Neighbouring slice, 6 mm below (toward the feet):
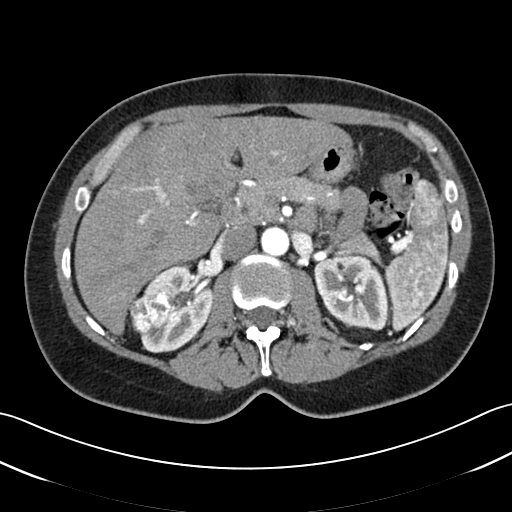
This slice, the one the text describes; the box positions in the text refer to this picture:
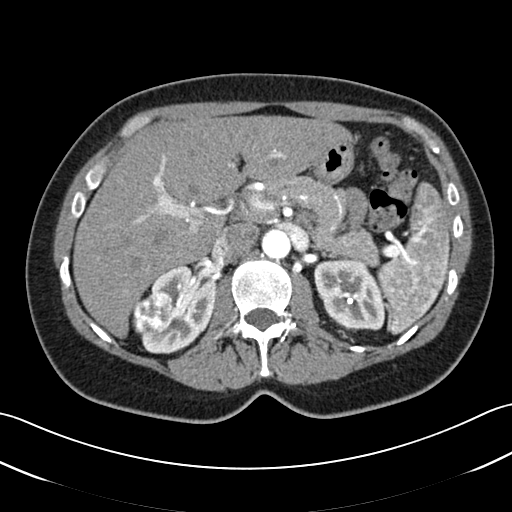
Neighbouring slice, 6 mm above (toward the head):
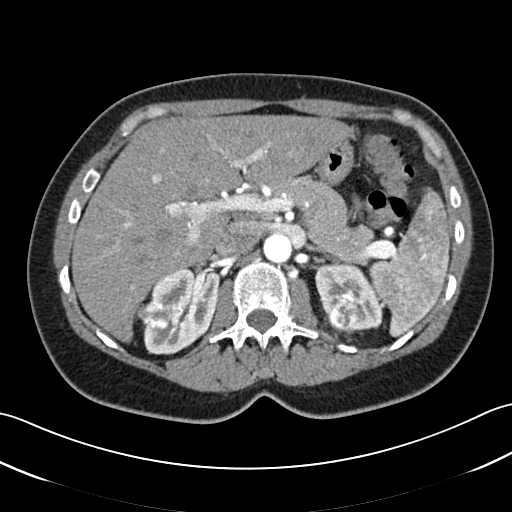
Abdominal CT with intravenous contrast, arterial phase, axial plane, 120 kVp, kernel B30f. Slice 31/52 from the bottom of the scan; thickness 3.00 mm; pixel size 0.678 mm.
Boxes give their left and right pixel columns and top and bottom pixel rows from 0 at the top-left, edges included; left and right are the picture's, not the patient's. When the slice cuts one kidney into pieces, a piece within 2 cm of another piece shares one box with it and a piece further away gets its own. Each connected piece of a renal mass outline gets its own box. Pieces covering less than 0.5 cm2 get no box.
Four boxes on this slice (two kidney boxes and two renal mass boxes), listed by box centre from the image's left to its right. (1) Box with left 131, top 291, right 172, bottom 335: right renal mass (outlined area 1,468 px, about 6.7 cm2). (2) Right kidney in the box with left 141, top 262, right 217, bottom 353 (outlined area 4,234 px, about 19.4 cm2). (3) Left renal mass in the box with left 335, top 308, right 350, bottom 320 (outlined area 162 px, about 0.7 cm2). (4) Box with left 314, top 259, right 385, bottom 330: left kidney (outlined area 3,798 px, about 17.4 cm2). This slice is near the end of the left renal mass toward the feet, so the slices 6 mm below and 6 mm above it are shown as well; the boxes refer to this slice only.